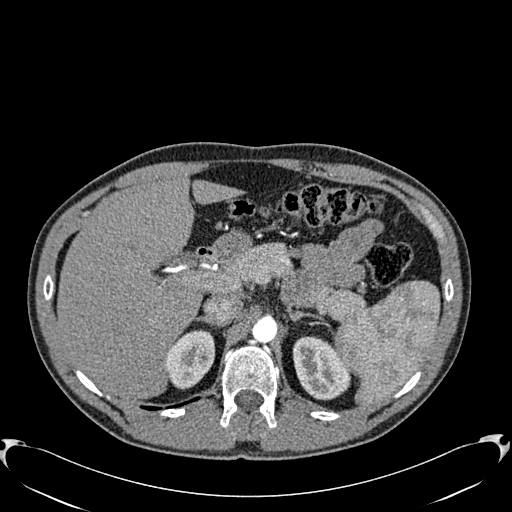
Abdominal CT with intravenous contrast, arterial phase, axial plane, 120 kVp, kernel B30f. Slice 431/512 from the bottom of the scan; thickness 1.00 mm; pixel size 0.771 mm.
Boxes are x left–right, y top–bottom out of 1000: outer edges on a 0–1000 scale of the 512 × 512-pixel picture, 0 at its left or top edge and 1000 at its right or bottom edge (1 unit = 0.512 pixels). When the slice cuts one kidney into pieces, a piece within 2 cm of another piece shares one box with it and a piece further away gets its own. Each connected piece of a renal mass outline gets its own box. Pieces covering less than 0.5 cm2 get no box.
Three boxes on this slice (two kidney boxes and one renal mass box), listed by box centre from the image's left to its right. (1) Right kidney, box x 322–420, y 645–760 out of 1000 (outlined area 1,859 px, about 11.1 cm2). (2) Right renal mass at x 381–420, y 680–725 out of 1000 (outlined area 323 px, about 1.9 cm2). (3) Box x 570–686, y 656–783 out of 1000: left kidney (outlined area 2,740 px, about 16.3 cm2).